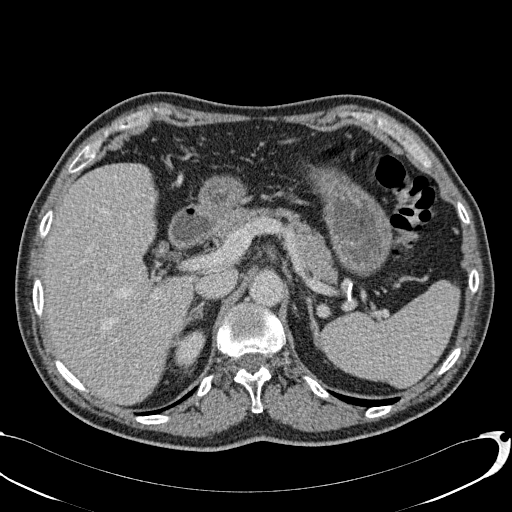
Contrast-enhanced abdominal CT, axial slice 69 of 113 (counted from the lowest slice); tube voltage 120 kVp, convolution kernel B31f; slices 2.00 mm thick, 0.742 mm per pixel.
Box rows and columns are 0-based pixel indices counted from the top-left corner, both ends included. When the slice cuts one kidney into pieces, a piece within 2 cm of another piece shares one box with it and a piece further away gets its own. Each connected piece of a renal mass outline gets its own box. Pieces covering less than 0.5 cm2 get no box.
Box rows 329–369, columns 174–206: right kidney (outlined area 873 px, about 4.8 cm2). No renal mass outline on this slice.